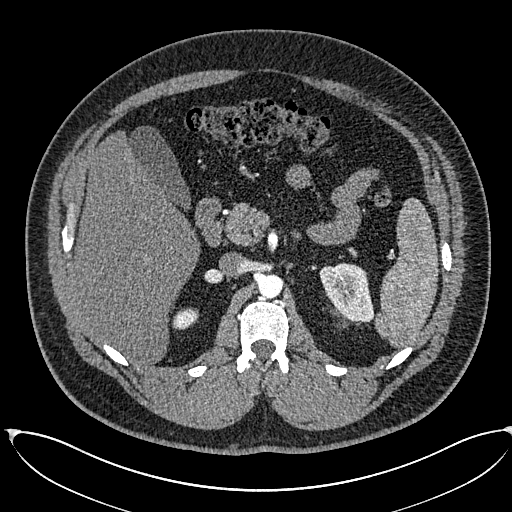
Axial slice 406 of 673 of a contrast-enhanced abdominal CT in the arterial phase (slice 1 is the lowest), 120 kVp, kernel I30f; 1.00 mm slice thickness and 0.855 mm pixels.
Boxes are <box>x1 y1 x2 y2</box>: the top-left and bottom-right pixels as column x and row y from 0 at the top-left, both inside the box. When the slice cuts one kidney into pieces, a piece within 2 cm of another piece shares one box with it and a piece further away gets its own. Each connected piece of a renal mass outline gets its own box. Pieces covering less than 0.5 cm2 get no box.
Boxed on this slice (two kidney boxes), listed by box centre from the image's left to its right: (1) Right kidney at <box>173 307 198 329</box> (outlined area 435 px, about 3.2 cm2). (2) Left kidney: <box>319 262 374 322</box> (outlined area 2,377 px, about 17.4 cm2). No renal mass outline on this slice.